Abdominal CT with intravenous contrast, arterial phase, axial plane, 120 kVp, kernel I26f. Slice 329/548 from the bottom of the scan; thickness 1.00 mm; pixel size 0.852 mm.
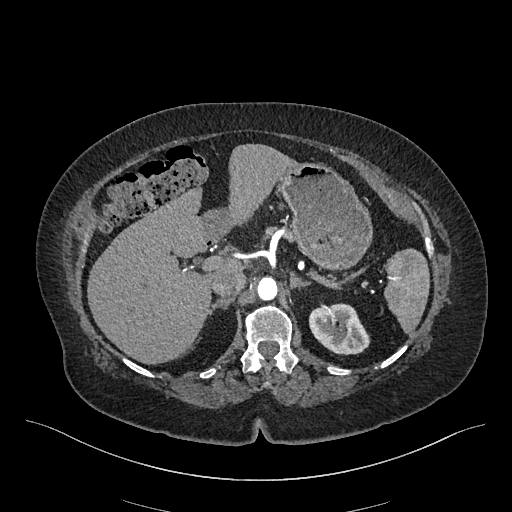
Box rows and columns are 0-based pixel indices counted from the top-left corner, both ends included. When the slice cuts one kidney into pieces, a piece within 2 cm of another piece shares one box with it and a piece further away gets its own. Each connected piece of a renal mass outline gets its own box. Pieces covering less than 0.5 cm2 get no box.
Left kidney at rows 303–354, columns 308–370 (outlined area 2,357 px, about 17.1 cm2). No renal mass is outlined on this slice.